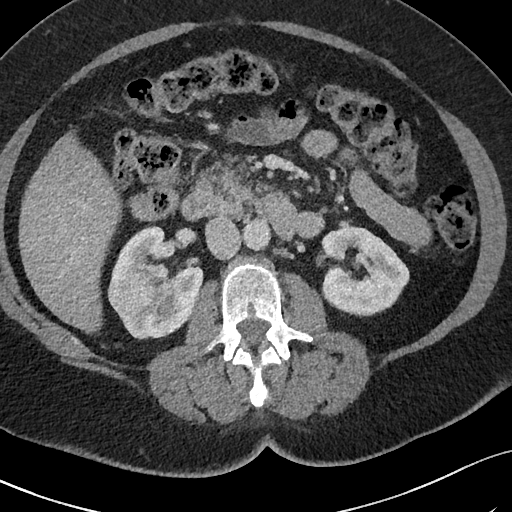
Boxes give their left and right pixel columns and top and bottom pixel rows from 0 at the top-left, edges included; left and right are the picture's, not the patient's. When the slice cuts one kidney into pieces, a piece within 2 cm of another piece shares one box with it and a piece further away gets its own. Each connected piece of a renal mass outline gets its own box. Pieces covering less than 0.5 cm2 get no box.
Arterial-phase contrast-enhanced abdominal CT, axial slice 40 of 69 (counted from the lowest slice); 3.00 mm thick, 0.664 mm per pixel. Three boxes on this slice (two kidney boxes and one renal mass box), listed by box centre from the image's left to its right. (1) Box with left 107, top 272, right 155, bottom 312: right renal mass (outlined area 1,616 px, about 7.1 cm2). (2) Right kidney, the box with left 111, top 225, right 203, bottom 339 (outlined area 6,042 px, about 26.6 cm2). (3) Left kidney in the box with left 318, top 220, right 409, bottom 316 (outlined area 5,999 px, about 26.5 cm2).
Scan settings: 120 kVp, I40f reconstruction kernel.